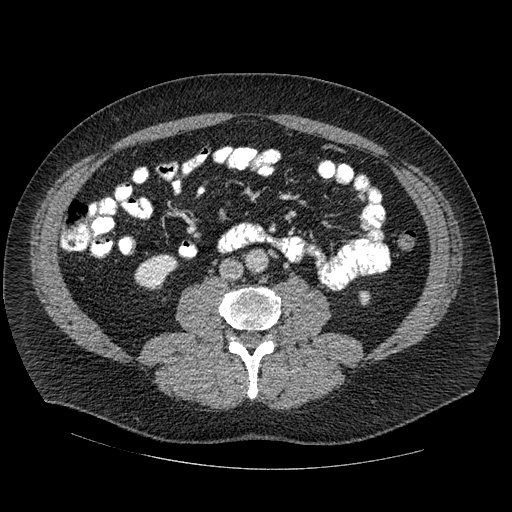
Abdominal CT with intravenous contrast, arterial phase, axial plane, 120 kVp, kernel STANDARD. Slice 231/445 from the bottom of the scan; thickness 1.25 mm; pixel size 0.863 mm.
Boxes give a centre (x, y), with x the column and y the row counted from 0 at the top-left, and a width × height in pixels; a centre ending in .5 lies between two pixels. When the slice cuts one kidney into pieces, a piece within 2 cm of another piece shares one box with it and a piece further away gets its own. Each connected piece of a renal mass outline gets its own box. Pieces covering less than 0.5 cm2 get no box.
Boxed on this slice (two kidney boxes), listed by box centre from the image's left to its right: (1) Box centre (156, 272), 45 × 37 pixels: right kidney (outlined area 1,112 px, about 8.3 cm2). (2) Left kidney, box centre (364, 297.5), 9 × 12 pixels (outlined area 87 px, about 0.6 cm2). No renal mass outline on this slice.